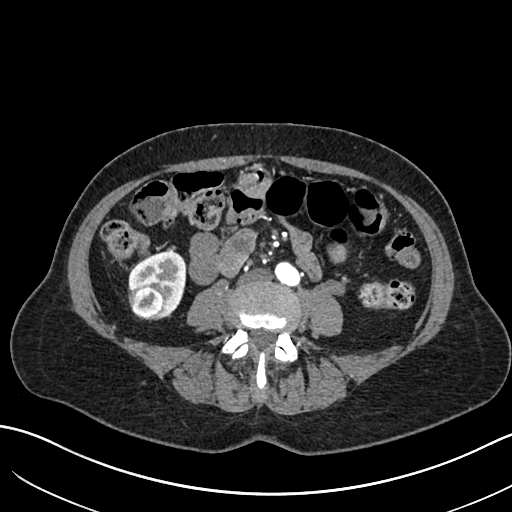
One axial slice (273 of 683, counting up from the lowest) of an arterial-phase abdominal CT acquired with 120 kVp, kernel I30f; each pixel is 0.738 mm and the slice is 1.00 mm thick.
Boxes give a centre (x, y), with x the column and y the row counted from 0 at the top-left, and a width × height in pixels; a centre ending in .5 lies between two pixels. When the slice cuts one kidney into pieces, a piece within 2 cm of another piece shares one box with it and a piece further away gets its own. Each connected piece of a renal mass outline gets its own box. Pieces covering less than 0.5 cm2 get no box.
One kidney box and one renal mass box on this slice; by box centre, from the image's left to its right: (1) Right renal mass in a box with centre (147, 301), 39 × 39 pixels (outlined area 1,159 px, about 6.3 cm2). (2) Box centre (157, 285), 59 × 69 pixels: right kidney (outlined area 2,144 px, about 11.7 cm2).